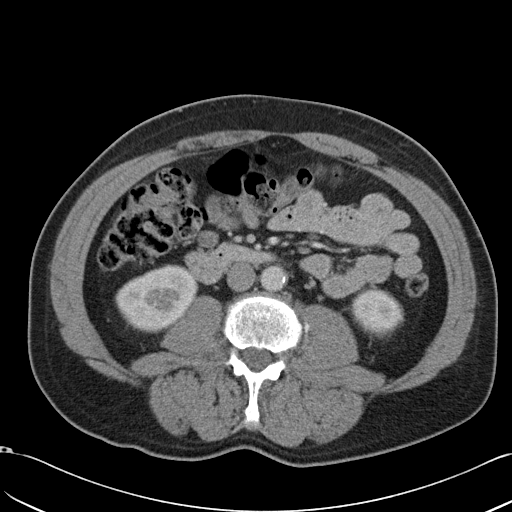
Axial slice 12 of 49 of a contrast-enhanced abdominal CT in the arterial phase (slice 1 is the lowest), 120 kVp, kernel B31f; 5.00 mm slice thickness and 0.691 mm pixels.
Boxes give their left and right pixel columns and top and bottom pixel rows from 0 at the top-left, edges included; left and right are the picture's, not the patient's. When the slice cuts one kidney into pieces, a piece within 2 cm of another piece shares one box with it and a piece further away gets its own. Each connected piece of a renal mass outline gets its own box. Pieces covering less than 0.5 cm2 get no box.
Two boxes on this slice (two kidney boxes), listed by box centre from the image's left to its right. (1) Right kidney in the box with left 115, top 264, right 198, bottom 333 (outlined area 4,017 px, about 19.2 cm2). (2) Box with left 351, top 288, right 403, bottom 332: left kidney (outlined area 1,805 px, about 8.6 cm2). This slice carries no renal mass outline.